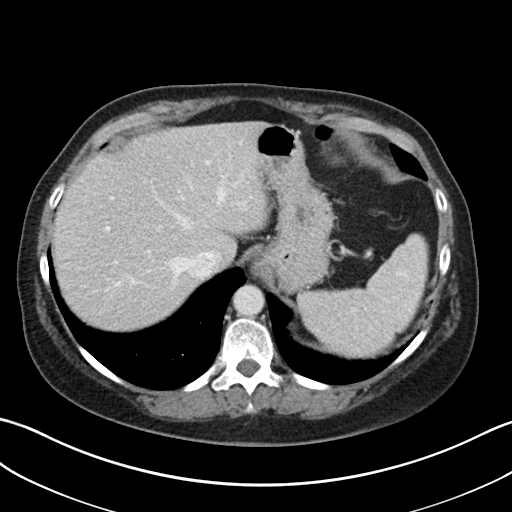
Abdominal CT with intravenous contrast, axial plane, 100 kVp, kernel I30f. Slice 37/38 from the bottom of the scan; thickness 5.00 mm; pixel size 0.730 mm.
This slice carries no outline: it lies beyond the outlined kidneys and beyond every outlined renal mass. Other organs are not outlined in this scan.